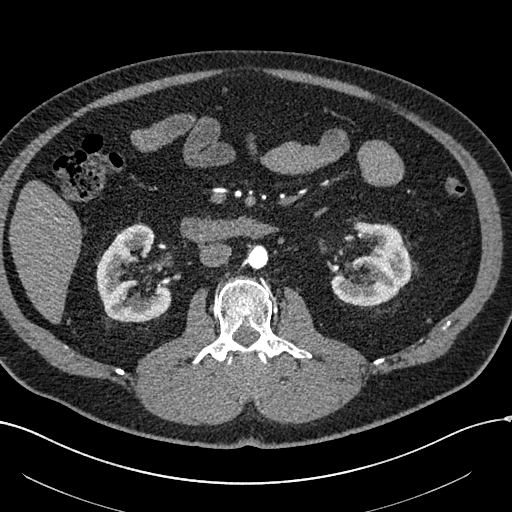
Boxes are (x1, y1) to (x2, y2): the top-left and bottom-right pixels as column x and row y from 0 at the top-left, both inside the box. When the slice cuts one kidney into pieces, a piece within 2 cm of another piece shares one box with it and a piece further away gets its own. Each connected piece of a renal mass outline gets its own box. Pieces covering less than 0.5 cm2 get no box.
Arterial-phase contrast-enhanced abdominal CT, axial slice 306 of 602 (counted from the lowest slice); 1.00 mm thick, 0.799 mm per pixel. Boxed on this slice (two kidney boxes), listed by box centre from the image's left to its right: (1) Right kidney, box (96, 224) to (171, 321) (outlined area 4,693 px, about 29.9 cm2). (2) Left kidney, box (330, 221) to (411, 306) (outlined area 4,580 px, about 29.2 cm2). No renal mass outline on this slice.
Acquired at 120 kVp and reconstructed with the I30f kernel.